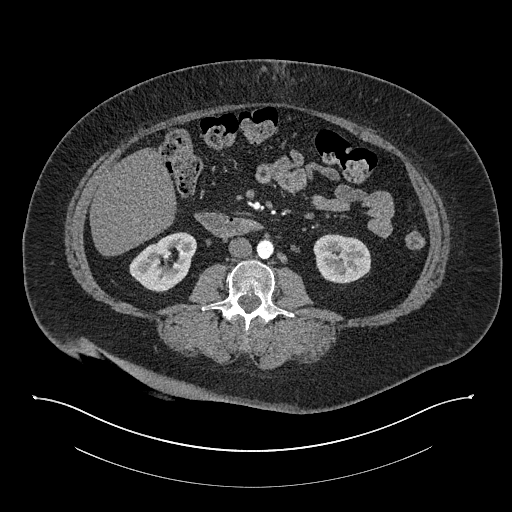
Axial slice 394 of 673 of a contrast-enhanced abdominal CT in the arterial phase (slice 1 is the lowest), 140 kVp, kernel I30f; 1.00 mm slice thickness and 0.957 mm pixels.
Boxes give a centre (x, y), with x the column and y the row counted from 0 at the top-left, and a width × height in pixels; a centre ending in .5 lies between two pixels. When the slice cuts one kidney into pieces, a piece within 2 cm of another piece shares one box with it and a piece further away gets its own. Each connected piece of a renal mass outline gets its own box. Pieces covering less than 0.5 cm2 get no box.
Two kidney boxes on this slice; by box centre, from the image's left to its right: (1) Right kidney in a box with centre (162.5, 262), 68 × 61 pixels (outlined area 2,721 px, about 24.9 cm2). (2) Left kidney, box centre (342, 258.5), 59 × 50 pixels (outlined area 2,314 px, about 21.2 cm2). No renal mass outline on this slice.